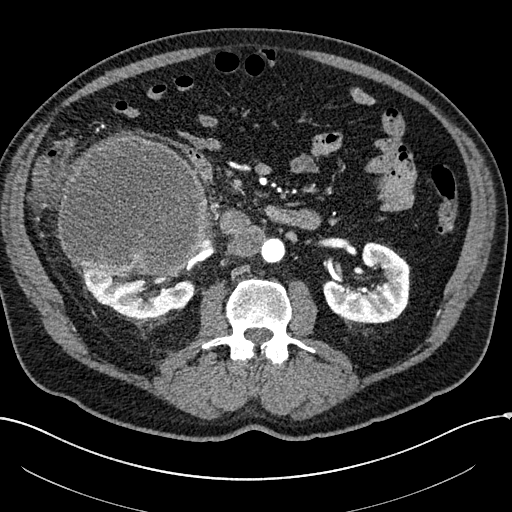
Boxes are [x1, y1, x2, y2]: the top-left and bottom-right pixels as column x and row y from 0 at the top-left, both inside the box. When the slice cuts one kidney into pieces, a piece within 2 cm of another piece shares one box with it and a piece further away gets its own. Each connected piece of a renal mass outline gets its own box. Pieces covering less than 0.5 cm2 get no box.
This is axial slice 107 of 304 (slice 1 is the lowest) of an arterial-phase abdominal CT with contrast; each pixel is 0.809 mm and the slice is 2.00 mm thick. Three boxes on this slice (two kidney boxes and one renal mass box), listed by box centre from the image's left to its right. (1) Box [57, 135, 207, 274]: right renal mass (outlined area 16,997 px, about 111.1 cm2). (2) Box [74, 264, 194, 319]: right kidney (outlined area 4,034 px, about 26.4 cm2). (3) Left kidney, box [323, 242, 410, 325] (outlined area 4,701 px, about 30.7 cm2).
Acquired at 100 kVp and reconstructed with the I30f kernel.